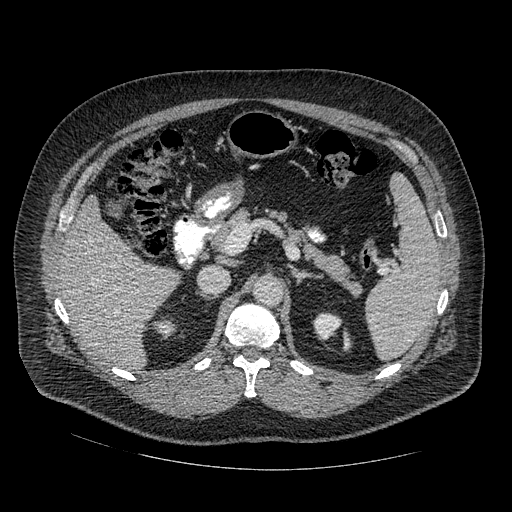
Abdominal CT with intravenous contrast, arterial phase, axial plane, 120 kVp, kernel STANDARD. Slice 312/445 from the bottom of the scan; thickness 1.25 mm; pixel size 0.863 mm.
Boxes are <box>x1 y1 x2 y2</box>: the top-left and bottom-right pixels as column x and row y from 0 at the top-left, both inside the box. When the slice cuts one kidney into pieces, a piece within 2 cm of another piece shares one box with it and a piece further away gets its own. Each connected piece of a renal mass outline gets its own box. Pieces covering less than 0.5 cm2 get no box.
Two kidney boxes on this slice; by box centre, from the image's left to its right: (1) Right kidney at <box>154 318 175 337</box> (outlined area 298 px, about 2.2 cm2). (2) At <box>312 312 352 351</box>: left kidney (outlined area 809 px, about 6.0 cm2). No renal mass is outlined on this slice.